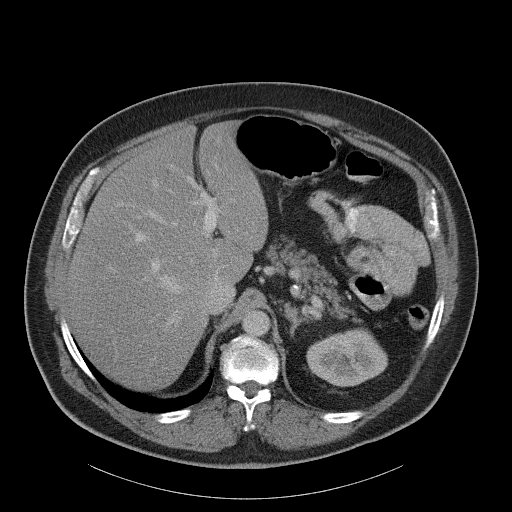
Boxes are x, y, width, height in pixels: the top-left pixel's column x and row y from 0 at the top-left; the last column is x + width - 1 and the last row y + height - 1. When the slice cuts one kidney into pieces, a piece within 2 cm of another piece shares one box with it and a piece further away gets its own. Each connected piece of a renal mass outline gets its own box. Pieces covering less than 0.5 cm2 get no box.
Contrast-enhanced abdominal CT, axial slice 80 of 107 (counted from the lowest slice); 5.00 mm thick, 0.941 mm per pixel. Left kidney at x 306, y 327, width 82, height 60 (outlined area 3,535 px, about 31.3 cm2). No renal mass outline on this slice.
Acquired at 120 kVp and reconstructed with the B31f kernel.